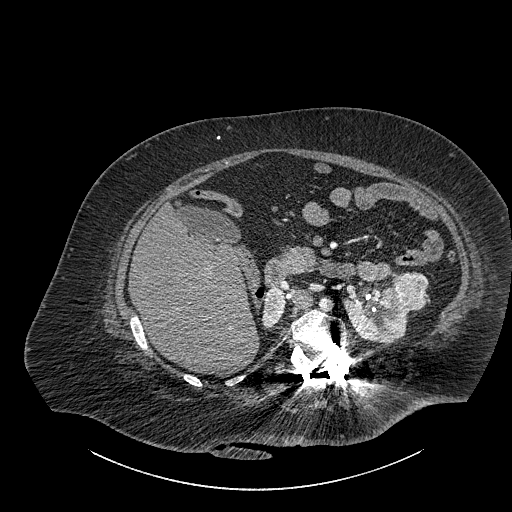
Abdominal CT with intravenous contrast, axial plane, 140 kVp, kernel I30f. Slice 555/834 from the bottom of the scan; thickness 1.00 mm; pixel size 0.977 mm.
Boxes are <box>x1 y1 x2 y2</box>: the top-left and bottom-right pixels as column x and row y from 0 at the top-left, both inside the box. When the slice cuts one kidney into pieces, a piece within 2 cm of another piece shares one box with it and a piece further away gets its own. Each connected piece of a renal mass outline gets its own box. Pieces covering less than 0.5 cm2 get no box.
Two kidney boxes and one renal mass box on this slice; by box centre, from the image's left to its right: (1) Right part of the midline-crossing kidney at <box>261 287 284 327</box> (outlined area 736 px, about 7.0 cm2). (2) Left part of the midline-crossing kidney: <box>343 285 416 343</box> (outlined area 2,575 px, about 24.6 cm2). (3) At <box>393 271 428 309</box>: renal mass (outlined area 1,130 px, about 10.8 cm2).